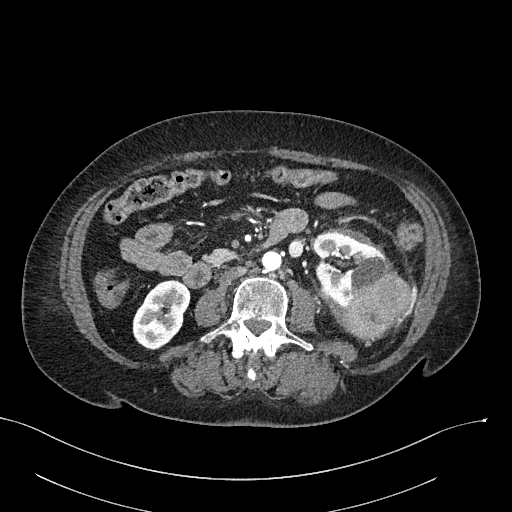
Arterial-phase contrast-enhanced abdominal CT, axial slice 104 of 316 (counted from the lowest slice); tube voltage 100 kVp, convolution kernel I40f; slices 2.00 mm thick, 0.840 mm per pixel.
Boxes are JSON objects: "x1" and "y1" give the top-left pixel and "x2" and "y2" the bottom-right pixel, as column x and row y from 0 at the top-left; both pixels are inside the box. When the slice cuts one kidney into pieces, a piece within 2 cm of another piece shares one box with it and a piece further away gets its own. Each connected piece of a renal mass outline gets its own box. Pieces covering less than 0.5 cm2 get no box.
Three boxes on this slice (two kidney boxes and one renal mass box), listed by box centre from the image's left to its right. (1) Right kidney, box {"x1": 132, "y1": 279, "x2": 189, "y2": 349} (outlined area 2,839 px, about 20.0 cm2). (2) Left kidney, box {"x1": 313, "y1": 232, "x2": 390, "y2": 309} (outlined area 3,160 px, about 22.3 cm2). (3) Left renal mass at {"x1": 344, "y1": 267, "x2": 412, "y2": 340} (outlined area 3,243 px, about 22.9 cm2).